Abdominal CT with intravenous contrast, axial plane, 100 kVp, kernel I30f. Slice 125/269 from the bottom of the scan; thickness 5.00 mm; pixel size 0.732 mm.
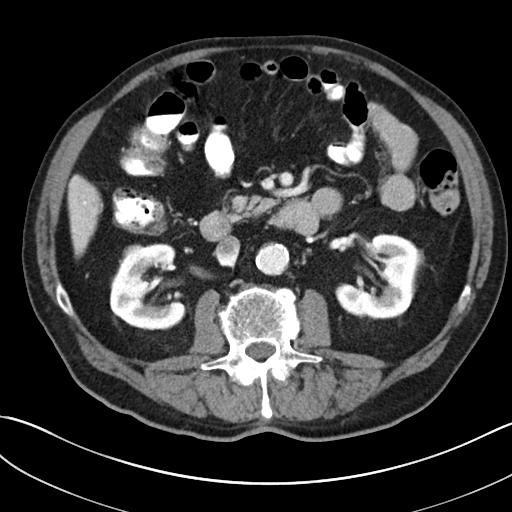
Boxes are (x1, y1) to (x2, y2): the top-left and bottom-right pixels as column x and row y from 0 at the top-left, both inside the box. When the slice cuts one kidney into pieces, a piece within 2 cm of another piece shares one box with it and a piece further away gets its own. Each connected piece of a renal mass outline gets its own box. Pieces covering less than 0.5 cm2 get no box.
Three boxes on this slice (two kidney boxes and one renal mass box), listed by box centre from the image's left to its right. (1) Box (122, 244) to (145, 263): right renal mass (outlined area 357 px, about 1.9 cm2). (2) Right kidney from (109, 243) to (186, 329) (outlined area 4,516 px, about 24.2 cm2). (3) Left kidney, box (334, 233) to (420, 319) (outlined area 4,925 px, about 26.4 cm2).